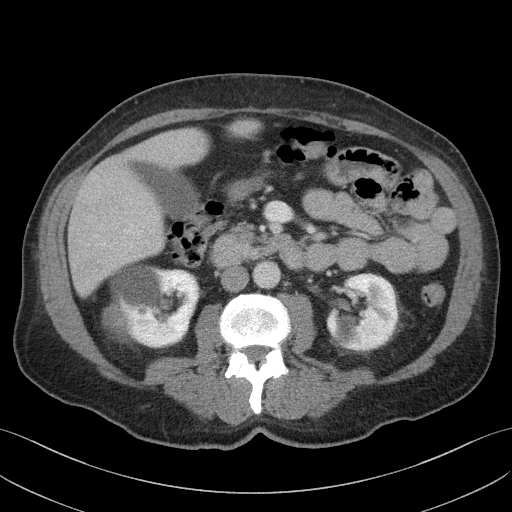
Axial slice 65 of 103 of a contrast-enhanced abdominal CT (slice 1 is the lowest), 100 kVp, kernel I41f; 4.00 mm slice thickness and 0.742 mm pixels.
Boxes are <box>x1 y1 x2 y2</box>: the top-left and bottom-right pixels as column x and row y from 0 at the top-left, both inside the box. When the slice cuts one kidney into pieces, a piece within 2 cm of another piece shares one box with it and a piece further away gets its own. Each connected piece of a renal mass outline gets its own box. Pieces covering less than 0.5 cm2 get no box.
Two boxes on this slice (two kidney boxes), listed by box centre from the image's left to its right. (1) At <box>103 264 199 348</box>: right kidney (outlined area 6,508 px, about 35.8 cm2). (2) Left kidney: <box>326 273 397 351</box> (outlined area 4,351 px, about 24.0 cm2). This slice carries no renal mass outline.